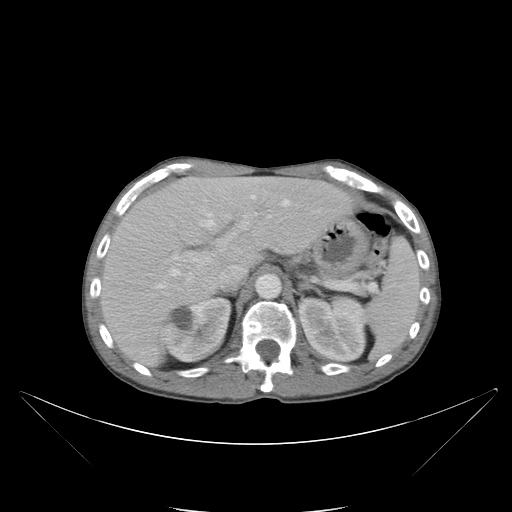
Contrast-enhanced abdominal CT, axial slice 70 of 88 (counted from the lowest slice); tube voltage 120 kVp, convolution kernel B; slices 5.00 mm thick, 0.865 mm per pixel.
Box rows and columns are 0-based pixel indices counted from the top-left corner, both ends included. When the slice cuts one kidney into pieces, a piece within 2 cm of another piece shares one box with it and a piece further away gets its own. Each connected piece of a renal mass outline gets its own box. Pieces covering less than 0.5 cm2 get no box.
Two kidney boxes on this slice; by box centre, from the image's left to its right: (1) Box rows 297–362, columns 160–231: right kidney (outlined area 3,440 px, about 25.8 cm2). (2) Box rows 296–362, columns 298–367: left kidney (outlined area 3,766 px, about 28.2 cm2). No renal mass outline on this slice.